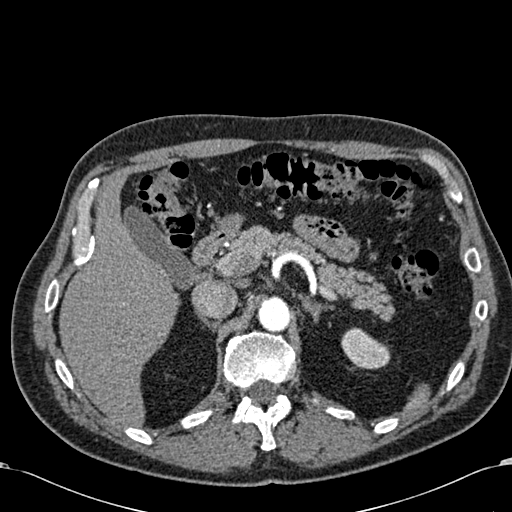
Abdominal CT with intravenous contrast, arterial phase, axial plane, 120 kVp, kernel B30f. Slice 440/581 from the bottom of the scan; thickness 1.00 mm; pixel size 0.713 mm.
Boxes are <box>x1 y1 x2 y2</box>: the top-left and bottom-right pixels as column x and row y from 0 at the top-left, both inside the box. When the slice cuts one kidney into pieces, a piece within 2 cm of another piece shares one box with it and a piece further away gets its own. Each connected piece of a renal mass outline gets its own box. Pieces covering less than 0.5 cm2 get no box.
At <box>341 327 390 369</box>: left kidney (outlined area 1,449 px, about 7.4 cm2). No renal mass is outlined on this slice.